Axial slice 42 of 86 of a contrast-enhanced abdominal CT (slice 1 is the lowest), 140 kVp, kernel I44f; 3.00 mm slice thickness and 0.977 mm pixels.
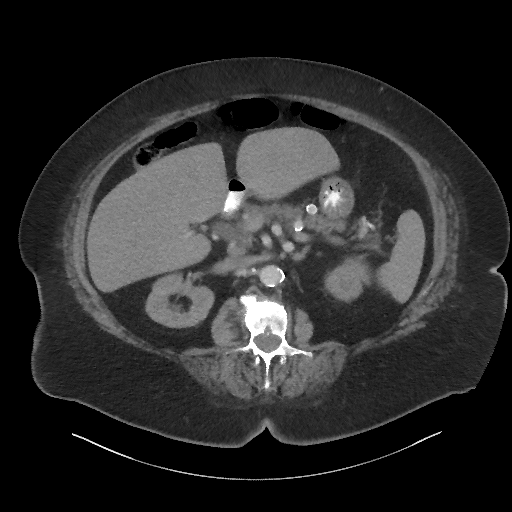
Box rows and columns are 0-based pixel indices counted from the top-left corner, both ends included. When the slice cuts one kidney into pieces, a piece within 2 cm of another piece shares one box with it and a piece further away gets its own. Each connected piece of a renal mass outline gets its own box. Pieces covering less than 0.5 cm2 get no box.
Two kidney boxes on this slice; by box centre, from the image's left to its right: (1) Right kidney at rows 272–328, columns 145–214 (outlined area 2,726 px, about 26.0 cm2). (2) Left kidney at rows 258–302, columns 325–367 (outlined area 1,345 px, about 12.8 cm2). No renal mass is outlined on this slice.